Abdominal CT with intravenous contrast, arterial phase, axial plane, 120 kVp, kernel I30f. Slice 334/670 from the bottom of the scan; thickness 1.00 mm; pixel size 0.861 mm.
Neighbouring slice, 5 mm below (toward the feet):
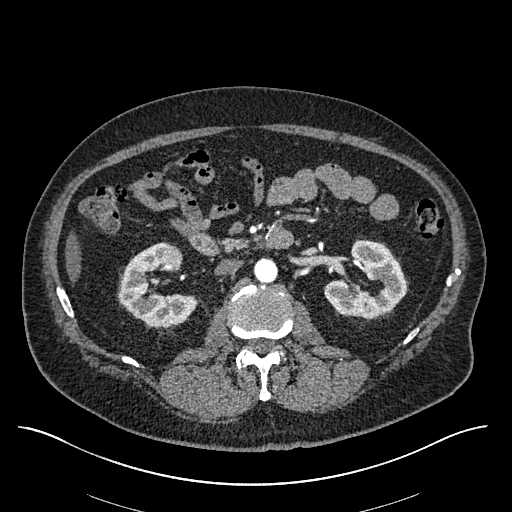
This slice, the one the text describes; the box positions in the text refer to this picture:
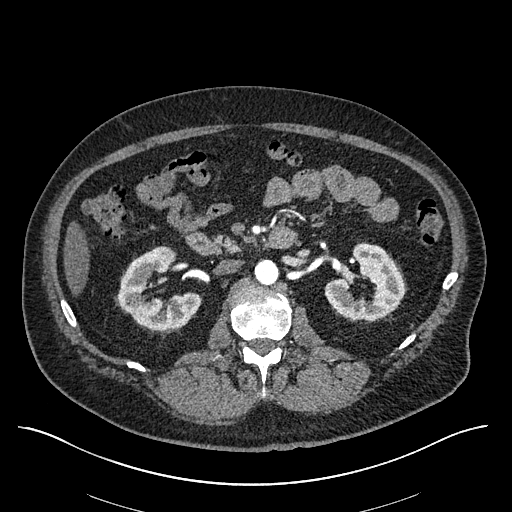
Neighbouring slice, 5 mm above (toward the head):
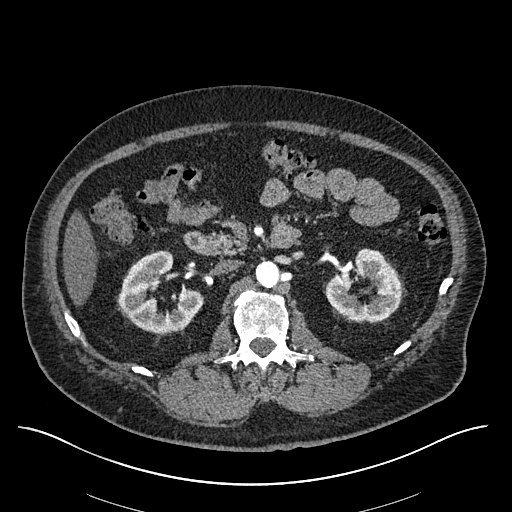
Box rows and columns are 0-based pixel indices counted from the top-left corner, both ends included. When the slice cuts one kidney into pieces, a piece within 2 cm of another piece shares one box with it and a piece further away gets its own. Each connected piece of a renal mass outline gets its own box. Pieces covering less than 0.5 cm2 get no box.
Three boxes on this slice (two kidney boxes and one renal mass box), listed by box centre from the image's left to its right. (1) Right kidney at rows 246–330, columns 117–201 (outlined area 4,184 px, about 31.0 cm2). (2) Right renal mass, box rows 250–262, columns 165–177 (outlined area 134 px, about 1.0 cm2). (3) Box rows 243–321, columns 324–405: left kidney (outlined area 4,092 px, about 30.4 cm2). This slice is near the end of the right renal mass toward the head, so the slices 5 mm below and 5 mm above it are shown as well; the boxes refer to this slice only.